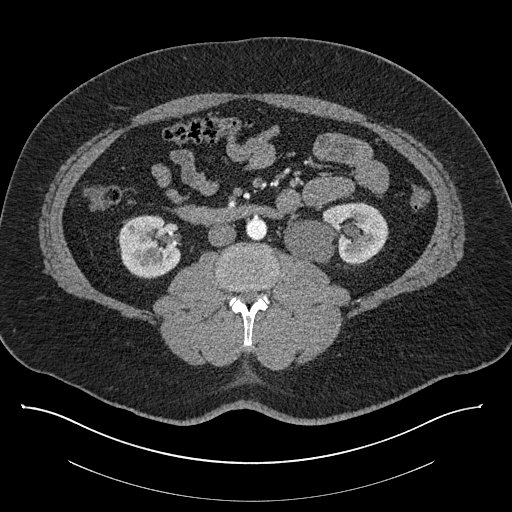
Axial slice 430 of 787 of a contrast-enhanced abdominal CT (slice 1 is the lowest), 140 kVp, kernel I30f; 1.00 mm slice thickness and 0.910 mm pixels.
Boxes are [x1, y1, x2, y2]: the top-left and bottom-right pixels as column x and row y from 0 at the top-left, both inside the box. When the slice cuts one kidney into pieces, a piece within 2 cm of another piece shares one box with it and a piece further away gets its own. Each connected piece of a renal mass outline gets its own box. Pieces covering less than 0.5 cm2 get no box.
Boxed on this slice (two kidney boxes), listed by box centre from the image's left to its right: (1) Right kidney, box [117, 215, 181, 279] (outlined area 3,123 px, about 25.9 cm2). (2) Left kidney, box [284, 202, 388, 264] (outlined area 4,769 px, about 39.5 cm2). No renal mass outline on this slice.